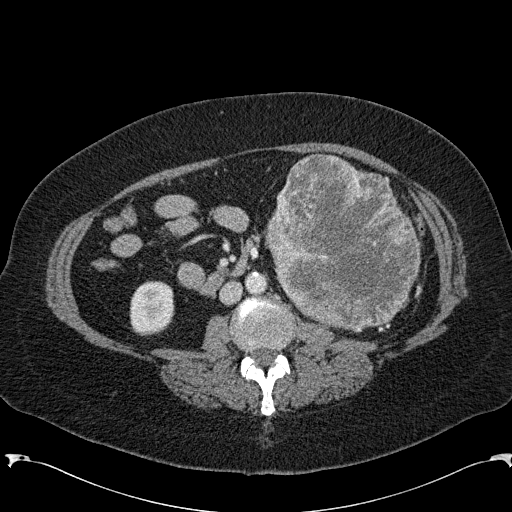
Arterial-phase contrast-enhanced abdominal CT, axial slice 100 of 285 (counted from the lowest slice); tube voltage 120 kVp, convolution kernel B31f; slices 2.00 mm thick, 0.762 mm per pixel.
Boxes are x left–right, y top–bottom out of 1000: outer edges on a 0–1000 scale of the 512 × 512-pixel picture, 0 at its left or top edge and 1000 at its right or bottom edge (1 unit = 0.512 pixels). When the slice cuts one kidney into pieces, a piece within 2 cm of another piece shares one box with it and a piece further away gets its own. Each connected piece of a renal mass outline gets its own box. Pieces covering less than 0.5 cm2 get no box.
Boxed on this slice (one kidney box and one renal mass box), listed by box centre from the image's left to its right: (1) Right kidney, box x 252–342, y 549–656 out of 1000 (outlined area 2,042 px, about 11.8 cm2). (2) Box x 512–824, y 297–650 out of 1000: left renal mass (outlined area 20,558 px, about 119.3 cm2); on this slice it lies more than 1 cm from any kidney outline, but the same outlined renal mass comes within 1 cm of the kidney on another slice.